Abdominal CT with intravenous contrast, arterial phase, axial plane, 100 kVp, kernel I30f. Slice 161/304 from the bottom of the scan; thickness 2.00 mm; pixel size 0.809 mm.
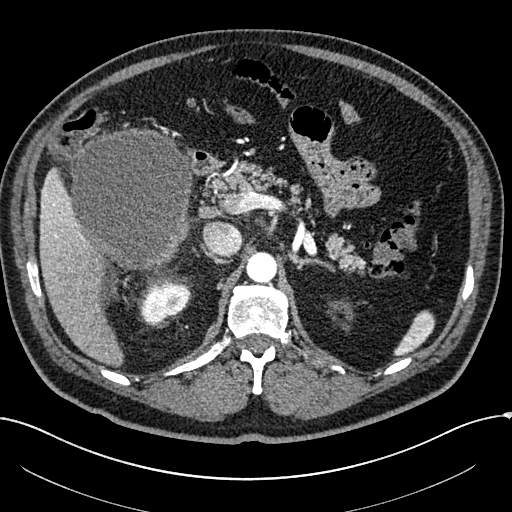
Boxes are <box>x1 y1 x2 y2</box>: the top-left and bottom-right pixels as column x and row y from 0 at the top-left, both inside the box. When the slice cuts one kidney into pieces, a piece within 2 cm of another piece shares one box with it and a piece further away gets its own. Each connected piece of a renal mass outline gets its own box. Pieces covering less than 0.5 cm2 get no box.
Boxed on this slice (one kidney box and one renal mass box), listed by box centre from the image's left to its right: (1) At <box>70 127 193 272</box>: right renal mass (outlined area 14,017 px, about 91.6 cm2); it sits over 1 cm from every kidney outline on this slice, but the same outlined renal mass comes within 1 cm of the kidney on another slice. (2) Right kidney: <box>140 282 190 324</box> (outlined area 1,550 px, about 10.1 cm2).